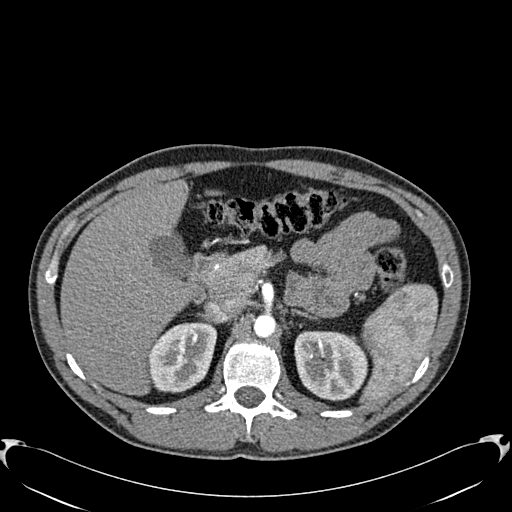
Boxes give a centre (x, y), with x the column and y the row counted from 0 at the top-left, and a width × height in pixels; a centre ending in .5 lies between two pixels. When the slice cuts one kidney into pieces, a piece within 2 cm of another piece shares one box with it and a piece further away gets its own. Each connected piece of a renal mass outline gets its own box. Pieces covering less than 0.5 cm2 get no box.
Arterial-phase contrast-enhanced abdominal CT, axial slice 410 of 512 (counted from the lowest slice); 1.00 mm thick, 0.771 mm per pixel. Boxed on this slice (two kidney boxes), listed by box centre from the image's left to its right: (1) Right kidney in a box with centre (182.5, 356.5), 70 × 74 pixels (outlined area 3,837 px, about 22.8 cm2). (2) Box centre (330.5, 365.5), 74 × 70 pixels: left kidney (outlined area 4,194 px, about 25.0 cm2). No renal mass is outlined on this slice.
Acquired at 120 kVp and reconstructed with the B30f kernel.